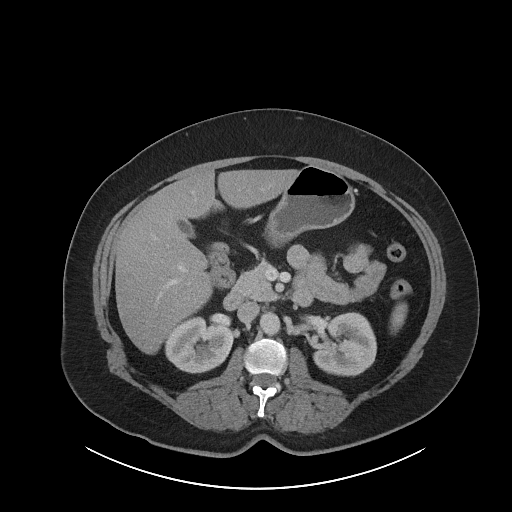
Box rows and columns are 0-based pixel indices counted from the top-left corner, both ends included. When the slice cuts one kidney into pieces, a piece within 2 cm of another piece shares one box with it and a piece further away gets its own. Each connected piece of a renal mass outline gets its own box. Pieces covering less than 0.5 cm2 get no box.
Arterial-phase contrast-enhanced abdominal CT, axial slice 56 of 86 (counted from the lowest slice); 5.00 mm thick, 0.977 mm per pixel. Boxed on this slice (two kidney boxes), listed by box centre from the image's left to its right: (1) Right kidney, box rows 315–373, columns 164–233 (outlined area 2,941 px, about 28.0 cm2). (2) Box rows 312–376, columns 312–376: left kidney (outlined area 3,127 px, about 29.8 cm2). This slice carries no renal mass outline.
Tube voltage 120 kVp; convolution kernel I40f.